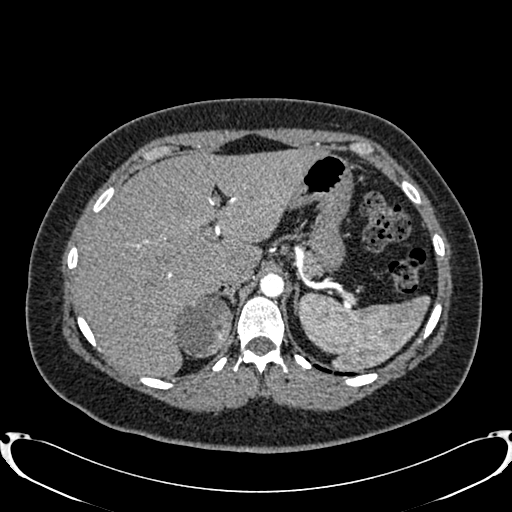
Abdominal CT with intravenous contrast, arterial phase, axial plane, 120 kVp, kernel B20f. Slice 615/719 from the bottom of the scan; thickness 1.00 mm; pixel size 0.766 mm.
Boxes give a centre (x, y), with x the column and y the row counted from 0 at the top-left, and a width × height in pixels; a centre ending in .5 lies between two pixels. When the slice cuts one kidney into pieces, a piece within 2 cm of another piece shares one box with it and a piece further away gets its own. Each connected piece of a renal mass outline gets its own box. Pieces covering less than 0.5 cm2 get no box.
Right renal mass, box centre (202, 326), 61 × 65 pixels (outlined area 2,856 px, about 16.7 cm2); no kidney is outlined on this slice, but the same outlined renal mass comes within 1 cm of the kidney on another slice.